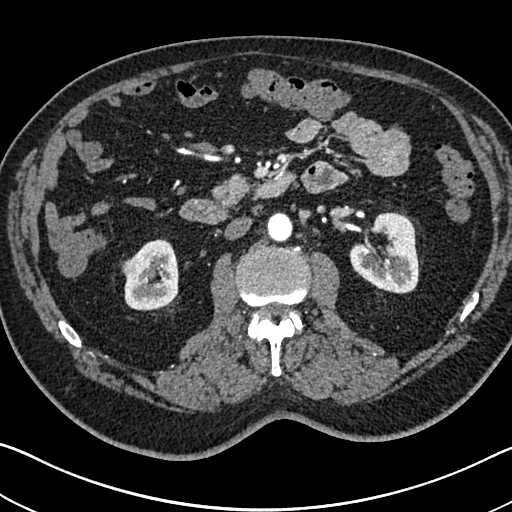
Axial slice 400 of 705 of a contrast-enhanced abdominal CT in the arterial phase (slice 1 is the lowest), 120 kVp, kernel I30f; 1.00 mm slice thickness and 0.703 mm pixels.
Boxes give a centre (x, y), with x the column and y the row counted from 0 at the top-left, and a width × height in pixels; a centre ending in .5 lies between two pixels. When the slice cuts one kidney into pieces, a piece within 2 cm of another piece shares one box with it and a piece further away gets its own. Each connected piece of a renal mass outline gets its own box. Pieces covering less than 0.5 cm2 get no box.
Boxed on this slice (two kidney boxes and one renal mass box), listed by box centre from the image's left to its right: (1) Right renal mass, box centre (131.5, 267), 22 × 23 pixels (outlined area 363 px, about 1.8 cm2). (2) Box centre (151, 274.5), 55 × 72 pixels: right kidney (outlined area 2,890 px, about 14.3 cm2). (3) Left kidney in a box with centre (384, 252.5), 71 × 82 pixels (outlined area 4,116 px, about 20.3 cm2).